Abdominal CT with intravenous contrast, arterial phase, axial plane, 120 kVp, kernel STANDARD. Slice 135/199 from the bottom of the scan; thickness 2.50 mm; pixel size 0.789 mm.
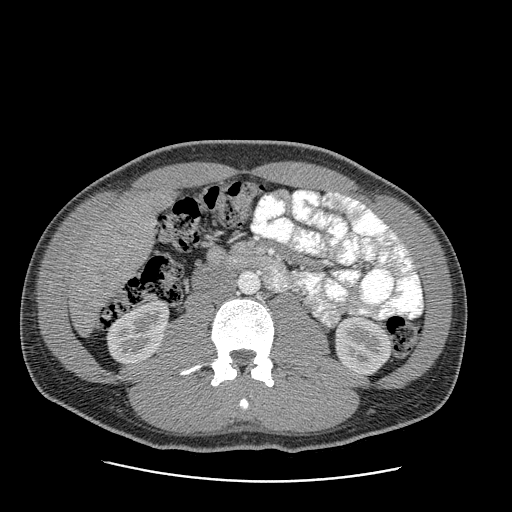
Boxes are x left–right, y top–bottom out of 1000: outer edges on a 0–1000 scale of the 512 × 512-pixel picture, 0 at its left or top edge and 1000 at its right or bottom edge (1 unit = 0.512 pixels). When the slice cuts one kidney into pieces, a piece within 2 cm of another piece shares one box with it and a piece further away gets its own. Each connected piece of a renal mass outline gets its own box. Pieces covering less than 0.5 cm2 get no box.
Boxed on this slice (two kidney boxes), listed by box centre from the image's left to its right: (1) Right kidney at x 207–330, y 586–713 out of 1000 (outlined area 2,906 px, about 18.1 cm2). (2) Left kidney at x 652–768, y 617–734 out of 1000 (outlined area 2,711 px, about 16.9 cm2). This slice carries no renal mass outline.